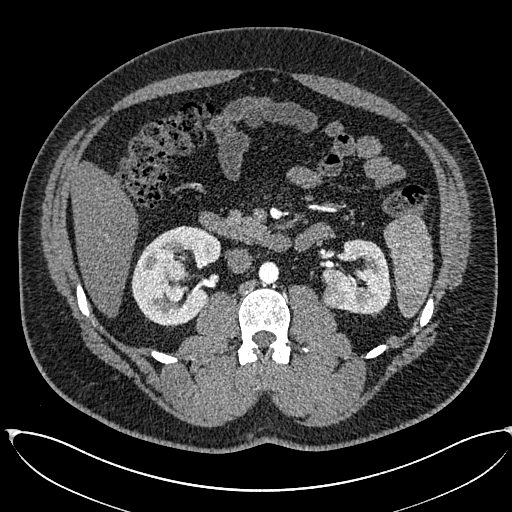
Axial slice 341 of 673 of a contrast-enhanced abdominal CT in the arterial phase (slice 1 is the lowest), 120 kVp, kernel I30f; 1.00 mm slice thickness and 0.855 mm pixels.
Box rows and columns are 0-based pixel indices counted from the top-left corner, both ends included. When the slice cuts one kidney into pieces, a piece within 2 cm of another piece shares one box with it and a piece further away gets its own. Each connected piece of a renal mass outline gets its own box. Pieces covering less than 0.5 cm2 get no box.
Two kidney boxes and two renal mass boxes on this slice; by box centre, from the image's left to its right: (1) Box rows 225–325, columns 131–221: right kidney (outlined area 5,660 px, about 41.4 cm2). (2) Right renal mass at rows 261–302, columns 165–188 (outlined area 763 px, about 5.6 cm2). (3) Left renal mass, box rows 285–308, columns 321–348 (outlined area 510 px, about 3.7 cm2). (4) Left kidney at rows 239–313, columns 322–391 (outlined area 3,450 px, about 25.2 cm2).